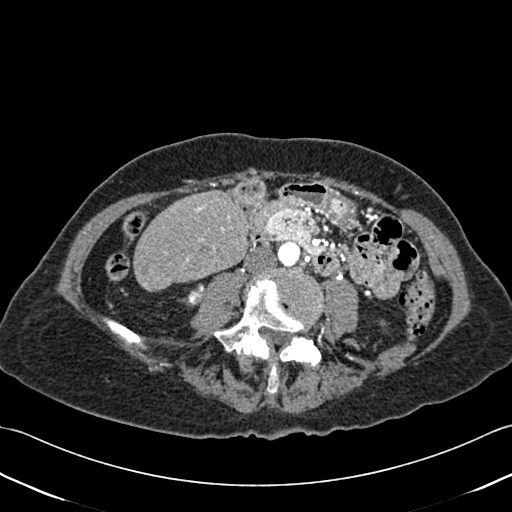
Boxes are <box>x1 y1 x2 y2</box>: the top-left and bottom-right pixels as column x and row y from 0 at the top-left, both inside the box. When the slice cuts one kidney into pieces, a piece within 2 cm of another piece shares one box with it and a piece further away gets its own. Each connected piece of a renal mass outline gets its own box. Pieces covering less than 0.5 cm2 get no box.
Slice 160/433 of a contrast-enhanced abdominal CT, counting up from the lowest; pixel size 0.672 mm, slice thickness 1.00 mm. At <box>188 288 201 303</box>: right kidney (outlined area 140 px, about 0.6 cm2). No renal mass is outlined on this slice.
Acquired at 120 kVp and reconstructed with the B30f kernel.